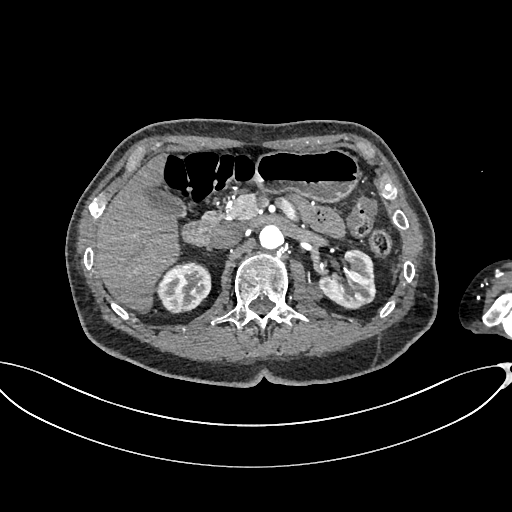
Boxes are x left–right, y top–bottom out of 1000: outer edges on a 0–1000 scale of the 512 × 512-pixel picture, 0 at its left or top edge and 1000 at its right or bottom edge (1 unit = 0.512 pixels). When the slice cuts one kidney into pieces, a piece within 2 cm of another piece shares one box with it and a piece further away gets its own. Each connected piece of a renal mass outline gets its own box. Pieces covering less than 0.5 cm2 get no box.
This is axial slice 433 of 665 (slice 1 is the lowest) of an arterial-phase abdominal CT with contrast; each pixel is 0.828 mm and the slice is 1.00 mm thick. Two kidney boxes and one renal mass box on this slice; by box centre, from the image's left to its right: (1) Right kidney, box x 305–414, y 510–613 out of 1000 (outlined area 2,189 px, about 15.0 cm2). (2) Box x 578–629, y 551–592 out of 1000: left renal mass (outlined area 409 px, about 2.8 cm2). (3) Left kidney at x 621–736, y 486–602 out of 1000 (outlined area 2,302 px, about 15.8 cm2).
Acquired at 100 kVp and reconstructed with the I26f kernel.